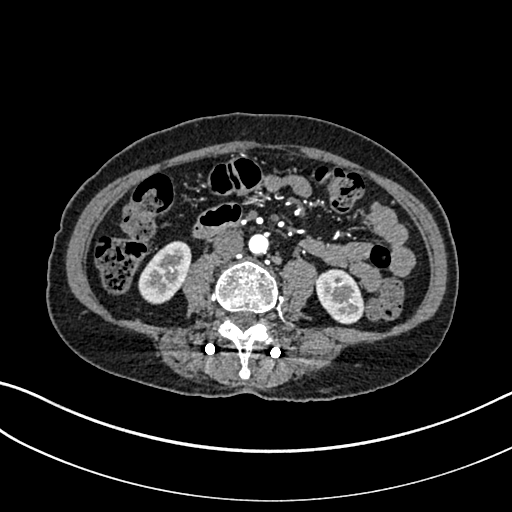
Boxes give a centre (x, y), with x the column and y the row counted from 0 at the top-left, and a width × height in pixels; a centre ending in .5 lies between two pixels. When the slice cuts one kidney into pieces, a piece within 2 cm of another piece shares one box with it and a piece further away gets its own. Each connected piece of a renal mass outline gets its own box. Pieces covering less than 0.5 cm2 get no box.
Slice 75/325 of a contrast-enhanced abdominal CT in the arterial phase, counting up from the lowest; pixel size 0.703 mm, slice thickness 1.00 mm. Two kidney boxes on this slice; by box centre, from the image's left to its right: (1) Box centre (164.5, 272.5), 54 × 64 pixels: right kidney (outlined area 2,331 px, about 11.5 cm2). (2) Left kidney in a box with centre (339, 296.5), 51 × 56 pixels (outlined area 2,041 px, about 10.1 cm2). This slice carries no renal mass outline.
Tube voltage 100 kVp; convolution kernel I30f.